Axial slice 204 of 470 of a contrast-enhanced abdominal CT in the arterial phase (slice 1 is the lowest), 120 kVp, kernel I26f; 1.00 mm slice thickness and 0.938 mm pixels.
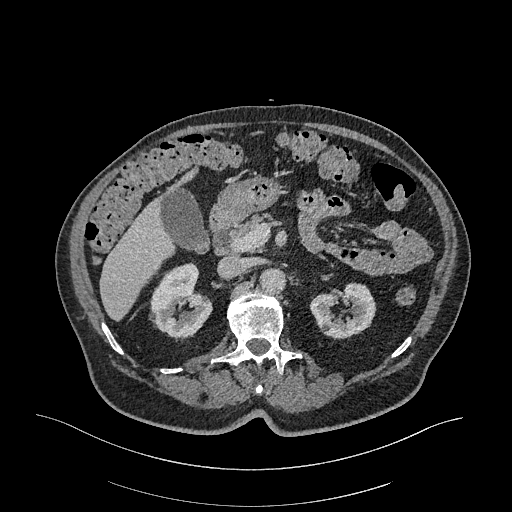
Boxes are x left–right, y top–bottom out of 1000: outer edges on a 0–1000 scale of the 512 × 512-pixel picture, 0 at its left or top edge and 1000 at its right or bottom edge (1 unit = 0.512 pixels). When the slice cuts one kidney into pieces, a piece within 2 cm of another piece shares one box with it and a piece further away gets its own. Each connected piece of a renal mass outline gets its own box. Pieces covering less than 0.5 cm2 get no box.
Two kidney boxes on this slice; by box centre, from the image's left to its right: (1) Right kidney at x 293–416, y 514–660 out of 1000 (outlined area 3,171 px, about 27.9 cm2). (2) Box x 604–736, y 549–664 out of 1000: left kidney (outlined area 2,625 px, about 23.1 cm2). No renal mass is outlined on this slice.